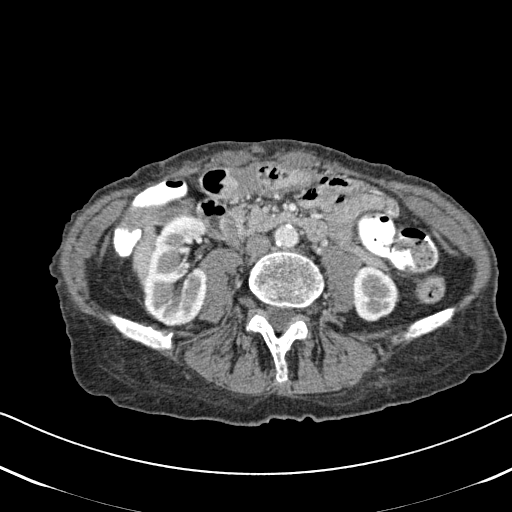
Abdominal CT with intravenous contrast, arterial phase, axial plane, 120 kVp, kernel B31f. Slice 248/620 from the bottom of the scan; thickness 2.00 mm; pixel size 0.637 mm.
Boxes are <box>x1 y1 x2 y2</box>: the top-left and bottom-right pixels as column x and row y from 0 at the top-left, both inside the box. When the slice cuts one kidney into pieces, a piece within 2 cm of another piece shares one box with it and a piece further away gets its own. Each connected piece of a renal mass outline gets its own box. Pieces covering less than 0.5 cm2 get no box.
Two boxes on this slice (two kidney boxes), listed by box centre from the image's left to its right. (1) Right kidney at <box>143 216 208 327</box> (outlined area 5,782 px, about 23.4 cm2). (2) At <box>352 266 399 322</box>: left kidney (outlined area 2,080 px, about 8.4 cm2). No renal mass is outlined on this slice.